One axial slice (147 of 316, counting up from the lowest) of an arterial-phase abdominal CT acquired with 100 kVp, kernel I40f; each pixel is 0.840 mm and the slice is 2.00 mm thick.
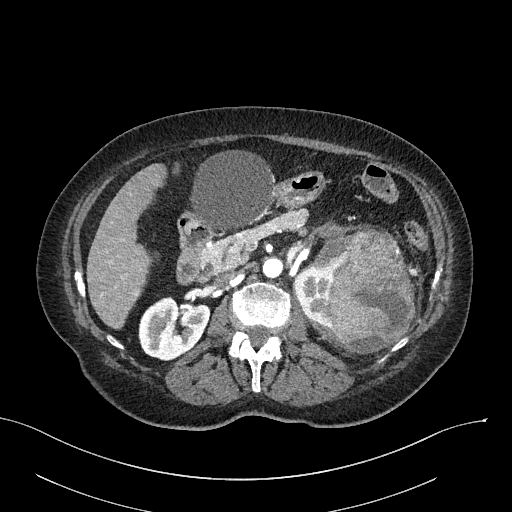
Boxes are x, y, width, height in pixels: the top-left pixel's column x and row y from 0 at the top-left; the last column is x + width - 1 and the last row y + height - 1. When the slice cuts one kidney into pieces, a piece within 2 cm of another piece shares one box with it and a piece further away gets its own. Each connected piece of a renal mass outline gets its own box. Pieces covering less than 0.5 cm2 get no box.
Three boxes on this slice (two kidney boxes and one renal mass box), listed by box centre from the image's left to its right. (1) Box x 138, y 296, width 72, height 65: right kidney (outlined area 3,415 px, about 24.1 cm2). (2) Box x 293, y 268, width 40, height 57: left kidney (outlined area 1,637 px, about 11.5 cm2). (3) Box x 305, y 226, width 110, height 128: left renal mass (outlined area 9,765 px, about 68.9 cm2).